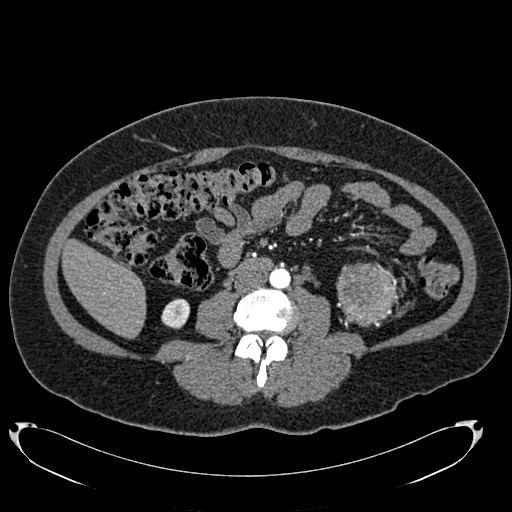
One axial slice (324 of 634, counting up from the lowest) of an arterial-phase abdominal CT acquired with 120 kVp, kernel B20f; each pixel is 0.838 mm and the slice is 1.00 mm thick.
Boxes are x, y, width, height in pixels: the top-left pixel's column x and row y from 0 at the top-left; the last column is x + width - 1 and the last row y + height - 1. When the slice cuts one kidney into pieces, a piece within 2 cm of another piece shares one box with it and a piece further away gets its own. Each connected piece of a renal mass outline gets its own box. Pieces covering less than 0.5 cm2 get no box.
One kidney box and one renal mass box on this slice; by box centre, from the image's left to its right: (1) Right kidney at x 161, y 298, width 29, height 32 (outlined area 688 px, about 4.8 cm2). (2) Left renal mass at x 336, y 262, width 65, height 65 (outlined area 3,184 px, about 22.4 cm2); on this slice it lies more than 1 cm from any kidney outline, but the same outlined renal mass comes within 1 cm of the kidney on another slice.